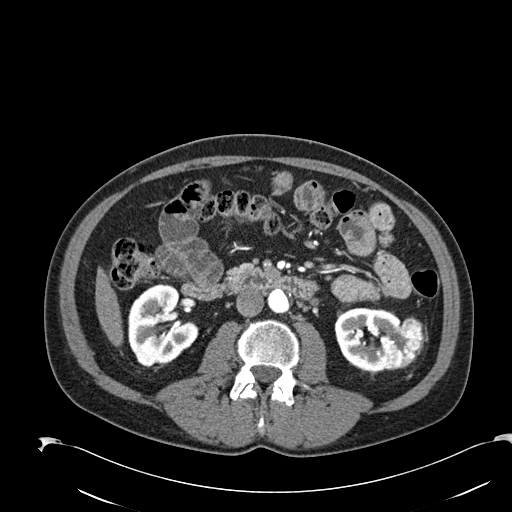
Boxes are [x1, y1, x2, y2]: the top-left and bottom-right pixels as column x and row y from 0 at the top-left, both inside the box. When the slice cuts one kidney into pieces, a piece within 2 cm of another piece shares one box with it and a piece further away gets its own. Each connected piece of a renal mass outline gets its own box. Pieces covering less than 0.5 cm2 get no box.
Arterial-phase contrast-enhanced abdominal CT, axial slice 96 of 274 (counted from the lowest slice); 2.00 mm thick, 0.809 mm per pixel. Three boxes on this slice (two kidney boxes and one renal mass box), listed by box centre from the image's left to its right. (1) Right kidney, box [128, 285, 196, 367] (outlined area 4,104 px, about 26.8 cm2). (2) Left kidney at [334, 307, 400, 370] (outlined area 2,776 px, about 18.2 cm2). (3) Box [377, 316, 425, 369]: left renal mass (outlined area 1,760 px, about 11.5 cm2).
Acquired at 120 kVp and reconstructed with the B30f kernel.